Abdominal CT with intravenous contrast, arterial phase, axial plane, 100 kVp, kernel B41f. Slice 33/77 from the bottom of the scan; thickness 3.00 mm; pixel size 0.809 mm.
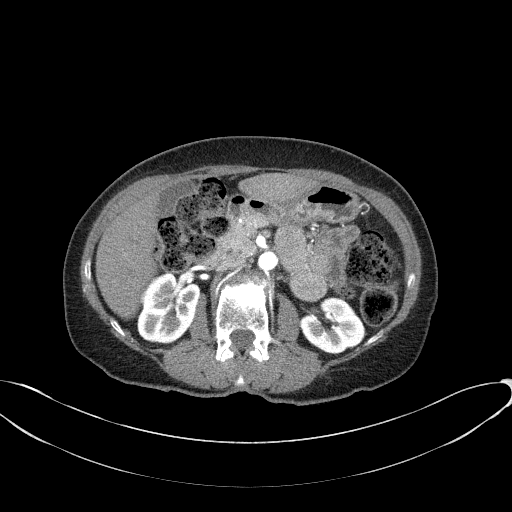
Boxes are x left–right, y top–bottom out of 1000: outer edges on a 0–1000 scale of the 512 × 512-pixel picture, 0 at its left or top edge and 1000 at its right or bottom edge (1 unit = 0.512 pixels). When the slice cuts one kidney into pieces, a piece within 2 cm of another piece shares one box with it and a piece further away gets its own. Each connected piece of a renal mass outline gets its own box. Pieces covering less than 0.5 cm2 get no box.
Two boxes on this slice (two kidney boxes), listed by box centre from the image's left to its right. (1) Right kidney at x 268–393, y 533–674 out of 1000 (outlined area 3,425 px, about 22.4 cm2). (2) Left kidney at x 586–715, y 580–693 out of 1000 (outlined area 2,702 px, about 17.7 cm2). No renal mass is outlined on this slice.